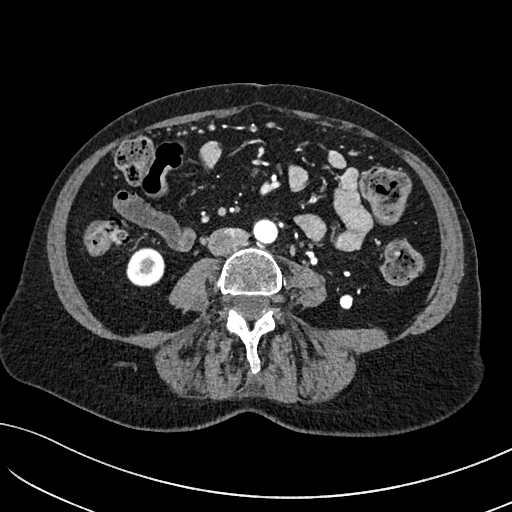
Axial slice 9 of 234 of a contrast-enhanced abdominal CT in the arterial phase (slice 1 is the lowest), 100 kVp, kernel I40f; 2.00 mm slice thickness and 0.699 mm pixels.
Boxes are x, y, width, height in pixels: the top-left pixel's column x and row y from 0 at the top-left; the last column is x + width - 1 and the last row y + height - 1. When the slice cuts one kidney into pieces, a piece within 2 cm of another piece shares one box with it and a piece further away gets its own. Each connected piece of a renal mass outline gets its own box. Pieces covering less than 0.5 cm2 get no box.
Box x 126, y 247, width 40, height 40: right kidney (outlined area 1,233 px, about 6.0 cm2). No renal mass is outlined on this slice.